One axial slice (403 of 591, counting up from the lowest) of an arterial-phase abdominal CT acquired with 140 kVp, kernel I30f; each pixel is 0.703 mm and the slice is 1.00 mm thick.
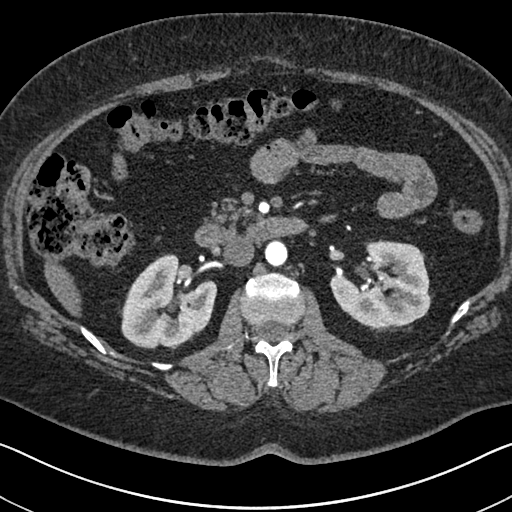
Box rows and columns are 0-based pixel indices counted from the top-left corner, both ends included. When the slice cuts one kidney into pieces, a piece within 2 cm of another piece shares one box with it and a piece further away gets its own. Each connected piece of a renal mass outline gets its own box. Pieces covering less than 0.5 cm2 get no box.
Boxed on this slice (two kidney boxes), listed by box centre from the image's left to its right: (1) Box rows 254–349, columns 120–217: right kidney (outlined area 6,518 px, about 32.2 cm2). (2) Box rows 240–326, columns 330–431: left kidney (outlined area 6,366 px, about 31.5 cm2). No renal mass outline on this slice.